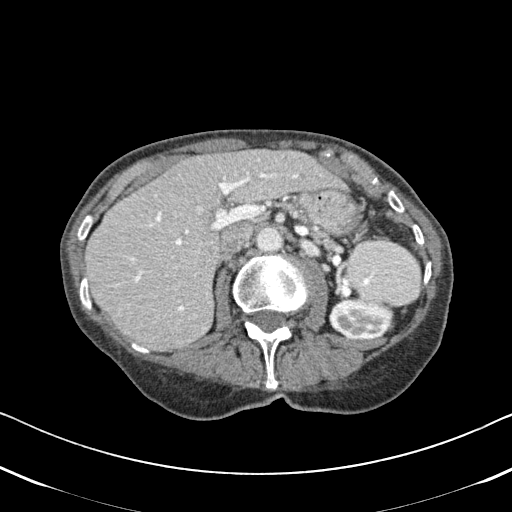
Abdominal CT with intravenous contrast, arterial phase, axial plane, 120 kVp, kernel B31f. Slice 313/620 from the bottom of the scan; thickness 2.00 mm; pixel size 0.637 mm.
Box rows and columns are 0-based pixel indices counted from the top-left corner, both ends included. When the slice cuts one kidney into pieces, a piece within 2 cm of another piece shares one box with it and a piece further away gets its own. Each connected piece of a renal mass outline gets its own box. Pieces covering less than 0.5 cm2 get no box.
Left kidney at rows 298–340, columns 329–394 (outlined area 2,146 px, about 8.7 cm2). This slice carries no renal mass outline.